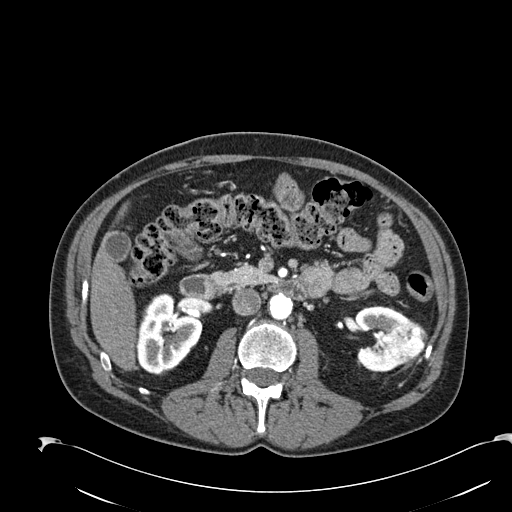
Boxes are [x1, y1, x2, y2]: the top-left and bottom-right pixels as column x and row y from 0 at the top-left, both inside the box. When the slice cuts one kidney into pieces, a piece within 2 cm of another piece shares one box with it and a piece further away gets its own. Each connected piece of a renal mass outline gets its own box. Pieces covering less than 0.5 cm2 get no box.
Arterial-phase contrast-enhanced abdominal CT, axial slice 114 of 274 (counted from the lowest slice); 2.00 mm thick, 0.809 mm per pixel. Boxed on this slice (two kidney boxes and one renal mass box), listed by box centre from the image's left to its right: (1) Right kidney at [137, 293, 202, 375] (outlined area 3,853 px, about 25.2 cm2). (2) Box [354, 306, 407, 372]: left kidney (outlined area 1,971 px, about 12.9 cm2). (3) Box [381, 318, 427, 364]: left renal mass (outlined area 1,537 px, about 10.0 cm2).
Scan settings: 120 kVp, B30f reconstruction kernel.